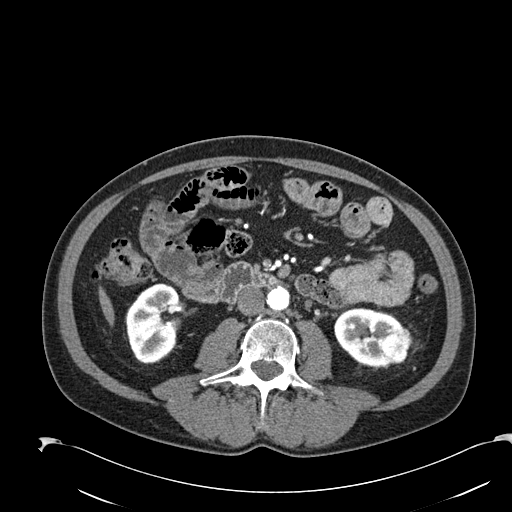
Abdominal CT with intravenous contrast, arterial phase, axial plane, 120 kVp, kernel B30f. Slice 85/274 from the bottom of the scan; thickness 2.00 mm; pixel size 0.809 mm.
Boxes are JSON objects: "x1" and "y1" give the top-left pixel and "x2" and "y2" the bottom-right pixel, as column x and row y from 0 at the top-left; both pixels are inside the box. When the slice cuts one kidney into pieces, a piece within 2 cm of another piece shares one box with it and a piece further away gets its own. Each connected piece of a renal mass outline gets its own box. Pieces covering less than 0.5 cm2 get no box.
Three boxes on this slice (two kidney boxes and one renal mass box), listed by box centre from the image's left to its right. (1) Right kidney at {"x1": 125, "y1": 283, "x2": 182, "y2": 363} (outlined area 3,469 px, about 22.7 cm2). (2) Left kidney at {"x1": 334, "y1": 307, "x2": 404, "y2": 367} (outlined area 2,749 px, about 18.0 cm2). (3) Left renal mass, box {"x1": 381, "y1": 328, "x2": 411, "y2": 363} (outlined area 790 px, about 5.2 cm2).